One axial slice (202 of 538, counting up from the lowest) of an arterial-phase abdominal CT acquired with 120 kVp, kernel B30f; each pixel is 0.811 mm and the slice is 1.00 mm thick.
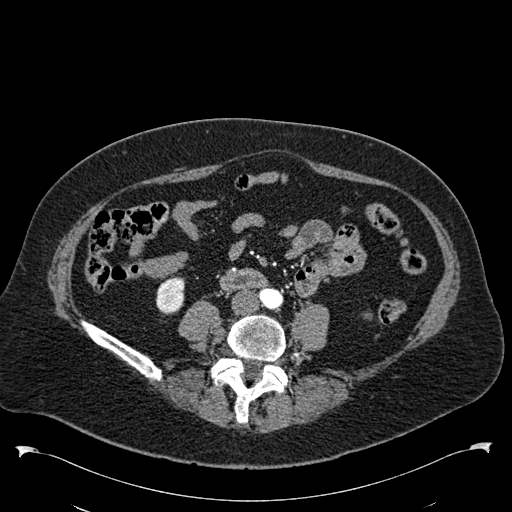
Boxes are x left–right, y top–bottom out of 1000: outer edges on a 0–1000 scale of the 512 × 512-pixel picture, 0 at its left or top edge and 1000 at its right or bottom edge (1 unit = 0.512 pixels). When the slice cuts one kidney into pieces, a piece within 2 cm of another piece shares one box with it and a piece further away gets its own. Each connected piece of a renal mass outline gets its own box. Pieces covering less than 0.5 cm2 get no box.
Box x 303–361, y 539–615 out of 1000: right kidney (outlined area 911 px, about 6.0 cm2).